Abdominal CT with intravenous contrast, arterial phase, axial plane, 120 kVp, kernel I30f. Slice 411/626 from the bottom of the scan; thickness 1.00 mm; pixel size 0.703 mm.
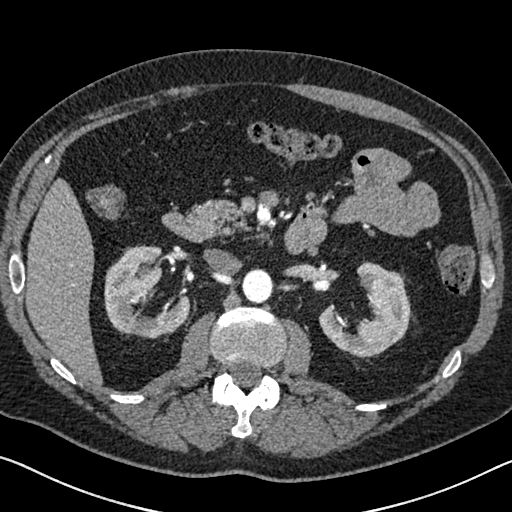
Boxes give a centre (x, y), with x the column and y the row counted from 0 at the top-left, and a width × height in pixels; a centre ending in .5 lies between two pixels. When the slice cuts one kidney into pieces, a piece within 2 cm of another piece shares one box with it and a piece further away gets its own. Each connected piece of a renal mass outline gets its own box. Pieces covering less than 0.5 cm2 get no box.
Two kidney boxes on this slice; by box centre, from the image's left to its right: (1) Right kidney in a box with centre (147, 291.5), 87 × 94 pixels (outlined area 5,234 px, about 25.9 cm2). (2) Box centre (364.5, 309), 92 × 97 pixels: left kidney (outlined area 4,945 px, about 24.4 cm2). No renal mass is outlined on this slice.